Abdominal CT with intravenous contrast, arterial phase, axial plane, 120 kVp, kernel B31f. Slice 295/620 from the bottom of the scan; thickness 2.00 mm; pixel size 0.637 mm.
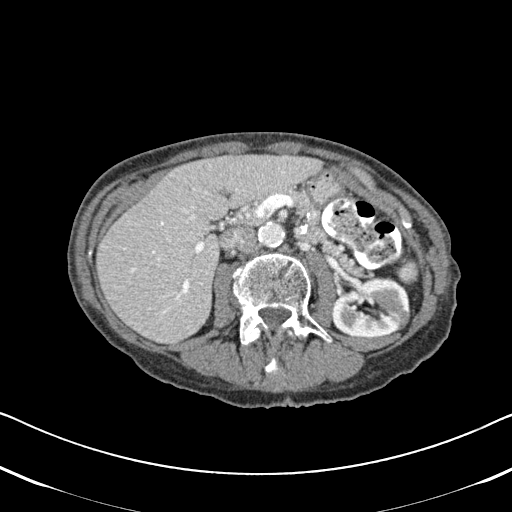
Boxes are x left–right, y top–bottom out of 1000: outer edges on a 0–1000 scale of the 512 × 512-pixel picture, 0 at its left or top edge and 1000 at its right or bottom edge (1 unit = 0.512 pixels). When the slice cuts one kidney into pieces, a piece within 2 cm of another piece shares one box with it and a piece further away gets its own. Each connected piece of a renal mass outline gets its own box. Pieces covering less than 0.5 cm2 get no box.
Box x 646–803, y 541–660 out of 1000: left kidney (outlined area 3,735 px, about 15.1 cm2). No renal mass outline on this slice.